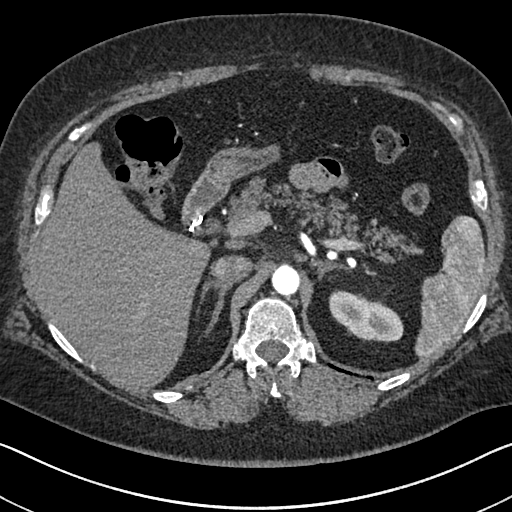
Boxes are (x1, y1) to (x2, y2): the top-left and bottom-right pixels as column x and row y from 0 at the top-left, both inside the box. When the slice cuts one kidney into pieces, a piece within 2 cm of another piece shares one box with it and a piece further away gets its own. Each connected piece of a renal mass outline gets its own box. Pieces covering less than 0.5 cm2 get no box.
Slice 492/591 of a contrast-enhanced abdominal CT in the arterial phase, counting up from the lowest; pixel size 0.703 mm, slice thickness 1.00 mm. Box (329, 289) to (403, 342): left kidney (outlined area 2,674 px, about 13.2 cm2). No renal mass outline on this slice.
Acquired at 140 kVp and reconstructed with the I30f kernel.